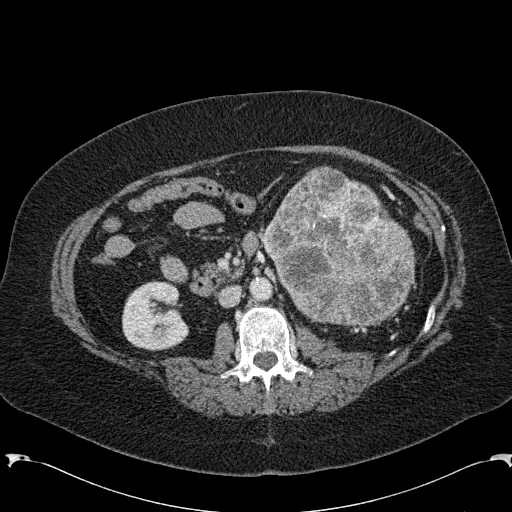
One axial slice (119 of 285, counting up from the lowest) of an arterial-phase abdominal CT acquired with 120 kVp, kernel B31f; each pixel is 0.762 mm and the slice is 2.00 mm thick.
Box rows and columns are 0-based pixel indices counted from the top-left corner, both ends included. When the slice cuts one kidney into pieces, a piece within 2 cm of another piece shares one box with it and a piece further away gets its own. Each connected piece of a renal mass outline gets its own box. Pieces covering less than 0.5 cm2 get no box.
Two boxes on this slice (one kidney box and one renal mass box), listed by box centre from the image's left to its right. (1) Right kidney, box rows 280–350, columns 122–188 (outlined area 3,648 px, about 21.2 cm2). (2) Box rows 165–326, columns 262–415: left renal mass (outlined area 17,665 px, about 102.5 cm2); here it is more than 1 cm from any kidney outline, though on another slice the same outlined renal mass lies within 1 cm of the kidney.